Abdominal CT with intravenous contrast, arterial phase, axial plane, 120 kVp, kernel B30f. Slice 287/581 from the bottom of the scan; thickness 1.00 mm; pixel size 0.713 mm.
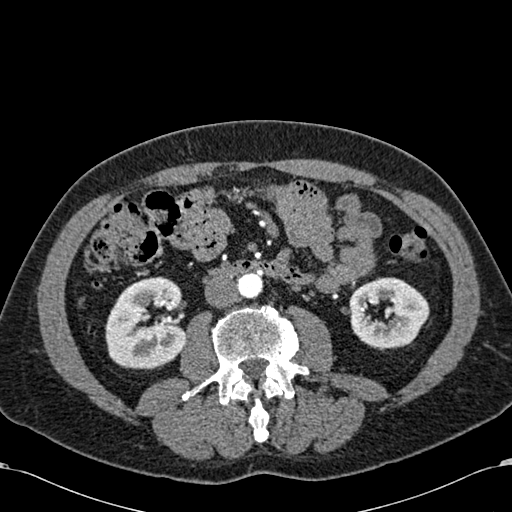
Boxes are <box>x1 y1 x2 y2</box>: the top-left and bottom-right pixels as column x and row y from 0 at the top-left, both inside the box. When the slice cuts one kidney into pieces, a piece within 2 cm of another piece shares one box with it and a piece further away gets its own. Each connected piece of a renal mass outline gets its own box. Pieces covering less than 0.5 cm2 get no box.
Two boxes on this slice (two kidney boxes), listed by box centre from the image's left to its right. (1) At <box>105 276 186 368</box>: right kidney (outlined area 5,857 px, about 29.8 cm2). (2) At <box>349 277 429 349</box>: left kidney (outlined area 4,276 px, about 21.7 cm2). No renal mass is outlined on this slice.